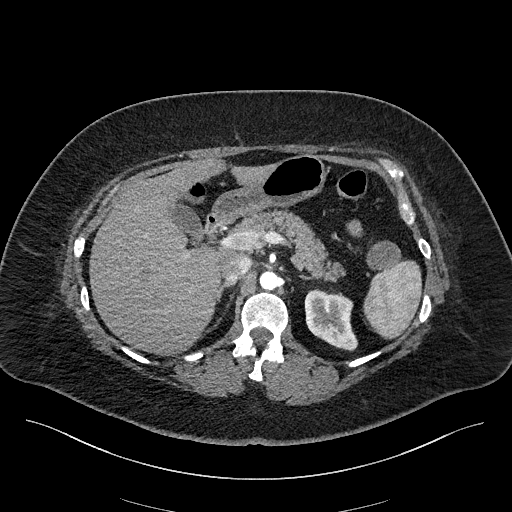
Abdominal CT with intravenous contrast, arterial phase, axial plane, 100 kVp, kernel I40f. Slice 147/270 from the bottom of the scan; thickness 2.00 mm; pixel size 0.855 mm.
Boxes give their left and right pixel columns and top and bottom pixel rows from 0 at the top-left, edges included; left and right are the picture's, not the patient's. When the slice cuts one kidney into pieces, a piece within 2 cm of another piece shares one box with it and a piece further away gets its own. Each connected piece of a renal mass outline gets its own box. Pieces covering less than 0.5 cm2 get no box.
Box with left 304, top 288, right 357, bottom 351: left kidney (outlined area 2,403 px, about 17.6 cm2). No renal mass is outlined on this slice.